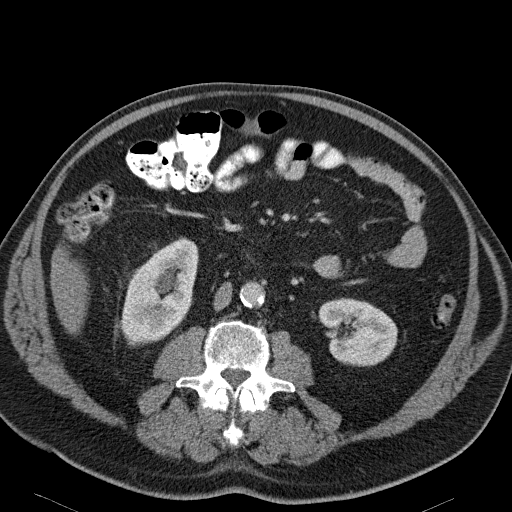
Abdominal CT with intravenous contrast, arterial phase, axial plane, 120 kVp, kernel B31f. Slice 73/114 from the bottom of the scan; thickness 5.00 mm; pixel size 0.781 mm.
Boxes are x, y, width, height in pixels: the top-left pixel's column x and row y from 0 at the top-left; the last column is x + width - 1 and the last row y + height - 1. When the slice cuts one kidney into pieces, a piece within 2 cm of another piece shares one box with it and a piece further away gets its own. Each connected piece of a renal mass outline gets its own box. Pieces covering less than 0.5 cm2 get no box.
Two boxes on this slice (two kidney boxes), listed by box centre from the image's left to its right. (1) Right kidney, box x 121, y 238, width 78, height 110 (outlined area 5,810 px, about 35.5 cm2). (2) Box x 317, y 297, width 81, height 70: left kidney (outlined area 4,156 px, about 25.4 cm2). This slice carries no renal mass outline.